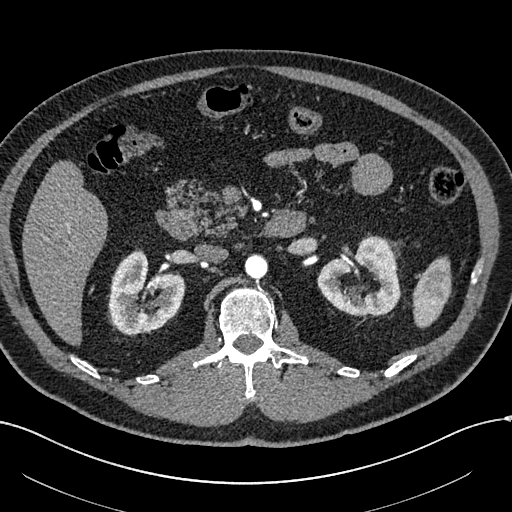
One axial slice (365 of 602, counting up from the lowest) of an arterial-phase abdominal CT acquired with 120 kVp, kernel I30f; each pixel is 0.799 mm and the slice is 1.00 mm thick.
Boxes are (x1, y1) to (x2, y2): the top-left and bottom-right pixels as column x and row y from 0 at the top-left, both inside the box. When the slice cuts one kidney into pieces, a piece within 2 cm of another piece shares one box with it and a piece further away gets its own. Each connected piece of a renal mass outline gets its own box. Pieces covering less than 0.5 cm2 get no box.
Boxed on this slice (two kidney boxes), listed by box centre from the image's left to its right: (1) Box (108, 249) to (184, 334): right kidney (outlined area 4,566 px, about 29.1 cm2). (2) Left kidney from (317, 236) to (400, 315) (outlined area 4,509 px, about 28.8 cm2). No renal mass is outlined on this slice.